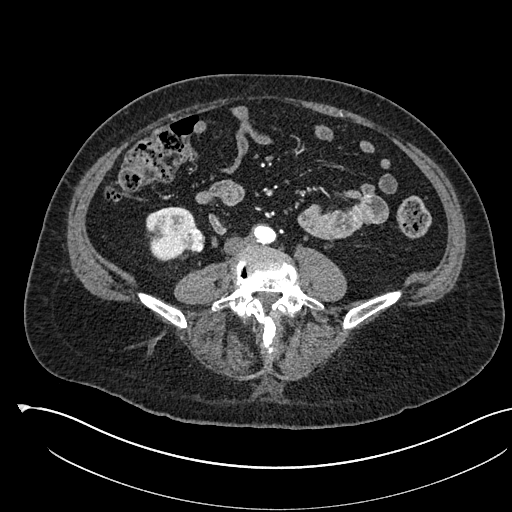
Arterial-phase contrast-enhanced abdominal CT, axial slice 198 of 541 (counted from the lowest slice); tube voltage 120 kVp, convolution kernel I30f; slices 1.00 mm thick, 0.834 mm per pixel.
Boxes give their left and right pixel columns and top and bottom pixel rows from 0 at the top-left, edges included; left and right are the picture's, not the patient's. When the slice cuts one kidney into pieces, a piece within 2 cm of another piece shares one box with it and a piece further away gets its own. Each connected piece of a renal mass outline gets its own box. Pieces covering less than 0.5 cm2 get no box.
One kidney box and one renal mass box on this slice; by box centre, from the image's left to its right: (1) Right kidney in the box with left 146, top 206, right 196, bottom 261 (outlined area 1,988 px, about 13.8 cm2). (2) Right renal mass in the box with left 182, top 228, right 205, bottom 252 (outlined area 462 px, about 3.2 cm2).